Axial slice 123 of 470 of a contrast-enhanced abdominal CT in the arterial phase (slice 1 is the lowest), 120 kVp, kernel I26f; 1.00 mm slice thickness and 0.938 mm pixels.
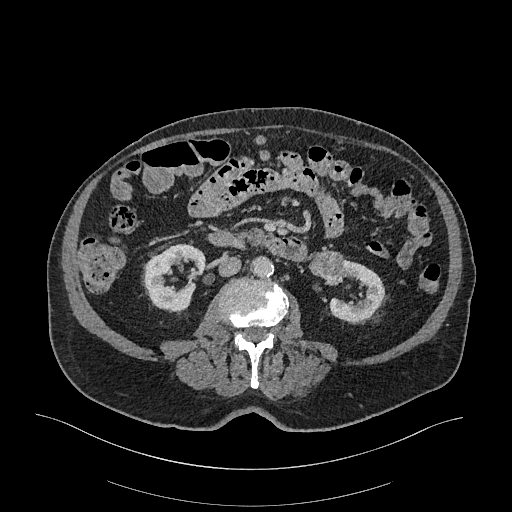
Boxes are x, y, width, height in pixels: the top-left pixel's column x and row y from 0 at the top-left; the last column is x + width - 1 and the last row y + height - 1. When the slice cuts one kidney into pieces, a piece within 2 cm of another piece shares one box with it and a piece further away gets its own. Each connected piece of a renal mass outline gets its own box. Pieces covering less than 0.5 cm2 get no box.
Two kidney boxes and one renal mass box on this slice; by box centre, from the image's left to its right: (1) Right kidney, box x 141, y 244, width 66, height 69 (outlined area 2,973 px, about 26.1 cm2). (2) Box x 308, y 249, width 36, height 37: left renal mass (outlined area 966 px, about 8.5 cm2). (3) Box x 328, y 257, width 57, height 66: left kidney (outlined area 2,076 px, about 18.2 cm2).